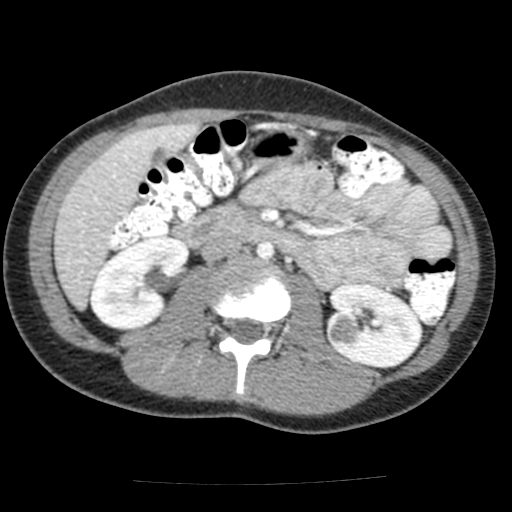
Abdominal CT with intravenous contrast, arterial phase, axial plane, 120 kVp, kernel FC12. Slice 77/117 from the bottom of the scan; thickness 3.00 mm; pixel size 0.518 mm.
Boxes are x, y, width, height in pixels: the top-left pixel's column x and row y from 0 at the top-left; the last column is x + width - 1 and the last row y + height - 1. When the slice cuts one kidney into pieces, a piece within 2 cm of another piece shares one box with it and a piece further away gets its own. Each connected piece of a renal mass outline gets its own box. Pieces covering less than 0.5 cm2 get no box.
Two kidney boxes and one renal mass box on this slice; by box centre, from the image's left to its right: (1) Box x 90, y 235, width 100, height 97: right kidney (outlined area 6,579 px, about 17.7 cm2). (2) Left renal mass, box x 329, y 314, width 30, height 31 (outlined area 727 px, about 2.0 cm2). (3) Box x 325, y 283, width 100, height 87: left kidney (outlined area 5,759 px, about 15.5 cm2).